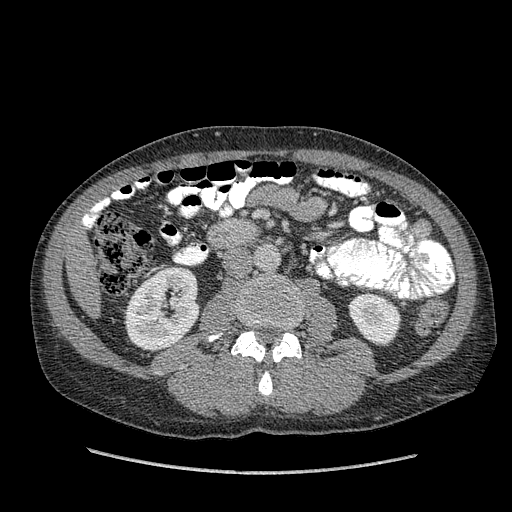
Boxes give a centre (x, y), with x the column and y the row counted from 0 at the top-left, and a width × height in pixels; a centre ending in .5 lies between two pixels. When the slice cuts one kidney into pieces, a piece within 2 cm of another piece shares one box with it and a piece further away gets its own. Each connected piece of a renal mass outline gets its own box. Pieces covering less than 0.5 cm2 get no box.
This is axial slice 181 of 349 (slice 1 is the lowest) of an arterial-phase abdominal CT with contrast; each pixel is 0.742 mm and the slice is 1.25 mm thick. Boxed on this slice (two kidney boxes), listed by box centre from the image's left to its right: (1) Box centre (162.5, 309.5), 76 × 86 pixels: right kidney (outlined area 4,872 px, about 26.8 cm2). (2) Box centre (374.5, 318), 54 × 55 pixels: left kidney (outlined area 2,153 px, about 11.9 cm2). This slice carries no renal mass outline.
Acquired at 120 kVp and reconstructed with the STANDARD kernel.